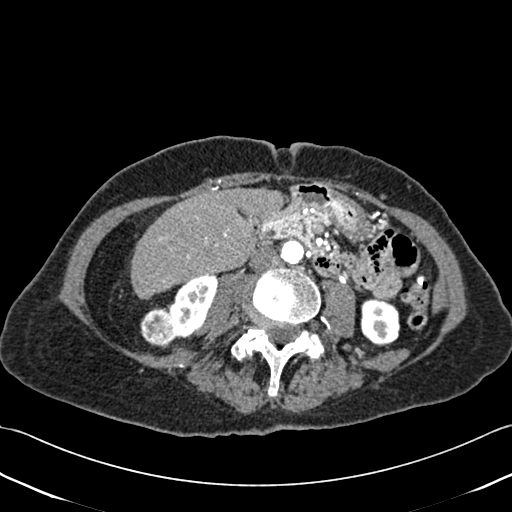
Axial slice 177 of 433 of a contrast-enhanced abdominal CT (slice 1 is the lowest), 120 kVp, kernel B30f; 1.00 mm slice thickness and 0.672 mm pixels.
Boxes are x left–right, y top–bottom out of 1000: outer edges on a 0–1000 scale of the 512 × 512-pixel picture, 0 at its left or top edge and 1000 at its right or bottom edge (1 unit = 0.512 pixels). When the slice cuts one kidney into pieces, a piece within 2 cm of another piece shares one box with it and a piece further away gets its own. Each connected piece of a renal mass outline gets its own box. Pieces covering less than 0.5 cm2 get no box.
Two kidney boxes and one renal mass box on this slice; by box centre, from the image's left to its right: (1) Box x 273–346, y 598–678 out of 1000: right renal mass (outlined area 1,141 px, about 5.2 cm2). (2) Right kidney, box x 326–426, y 535–662 out of 1000 (outlined area 2,017 px, about 9.1 cm2). (3) Left kidney, box x 703–783, y 582–680 out of 1000 (outlined area 1,588 px, about 7.2 cm2).